Abdominal CT with intravenous contrast, axial plane, 120 kVp, kernel B30f. Slice 39/80 from the bottom of the scan; thickness 3.00 mm; pixel size 0.822 mm.
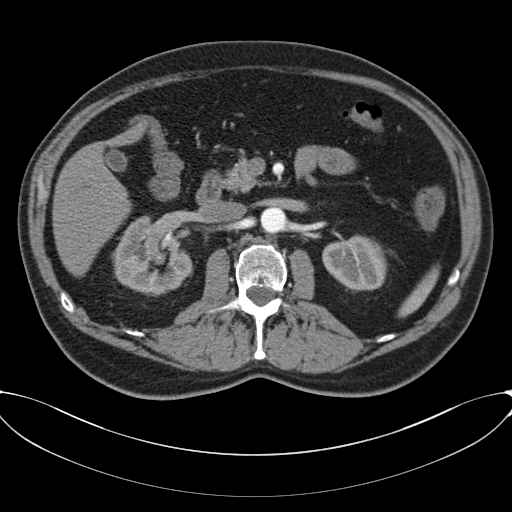
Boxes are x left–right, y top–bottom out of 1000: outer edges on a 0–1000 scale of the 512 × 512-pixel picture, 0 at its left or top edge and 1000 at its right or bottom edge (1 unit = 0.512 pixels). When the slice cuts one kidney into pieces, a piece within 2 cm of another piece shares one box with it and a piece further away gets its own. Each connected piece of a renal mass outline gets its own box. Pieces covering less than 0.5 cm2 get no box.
Boxed on this slice (two kidney boxes), listed by box centre from the image's left to its right: (1) Right kidney at x 217–379, y 420–580 out of 1000 (outlined area 4,398 px, about 29.7 cm2). (2) Left kidney at x 629–758, y 459–570 out of 1000 (outlined area 2,794 px, about 18.9 cm2). No renal mass outline on this slice.